Abdominal CT with intravenous contrast, axial plane, 140 kVp, kernel I30f. Slice 511/834 from the bottom of the scan; thickness 1.00 mm; pixel size 0.977 mm.
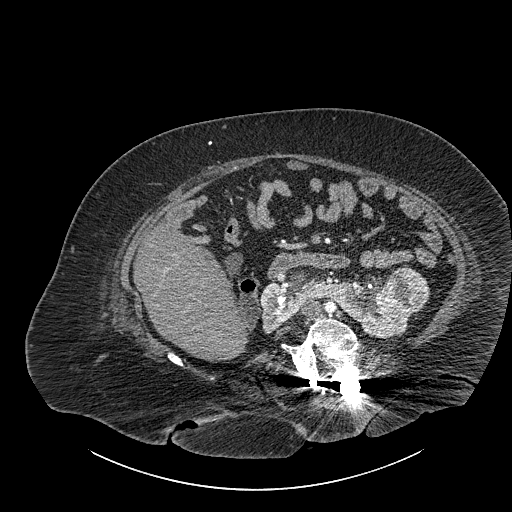
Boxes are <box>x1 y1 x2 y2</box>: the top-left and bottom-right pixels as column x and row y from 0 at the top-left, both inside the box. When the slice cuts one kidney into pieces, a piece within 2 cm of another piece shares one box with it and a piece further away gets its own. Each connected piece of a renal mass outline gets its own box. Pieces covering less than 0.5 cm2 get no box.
Two boxes on this slice (one kidney box and one renal mass box), listed by box centre from the image's left to its right. (1) Kidney crossing the body midline: <box>260 270 411 340</box> (outlined area 5,218 px, about 49.8 cm2). (2) Renal mass at <box>385 269 430 314</box> (outlined area 1,674 px, about 16.0 cm2).